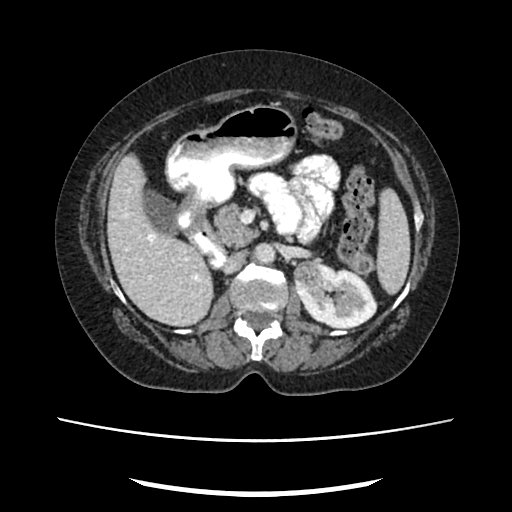
Axial slice 143 of 207 of a contrast-enhanced abdominal CT in the arterial phase (slice 1 is the lowest), 120 kVp, kernel FC18; 2.00 mm slice thickness and 0.741 mm pixels.
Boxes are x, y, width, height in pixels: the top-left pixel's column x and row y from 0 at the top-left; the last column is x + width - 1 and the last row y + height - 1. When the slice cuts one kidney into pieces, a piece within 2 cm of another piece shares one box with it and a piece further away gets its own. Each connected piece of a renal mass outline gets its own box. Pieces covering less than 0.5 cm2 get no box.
One kidney box and one renal mass box on this slice; by box centre, from the image's left to its right: (1) Left renal mass, box x 293, y 259, width 28, height 30 (outlined area 619 px, about 3.4 cm2). (2) Left kidney, box x 293, y 262, width 85, height 68 (outlined area 3,575 px, about 19.6 cm2).